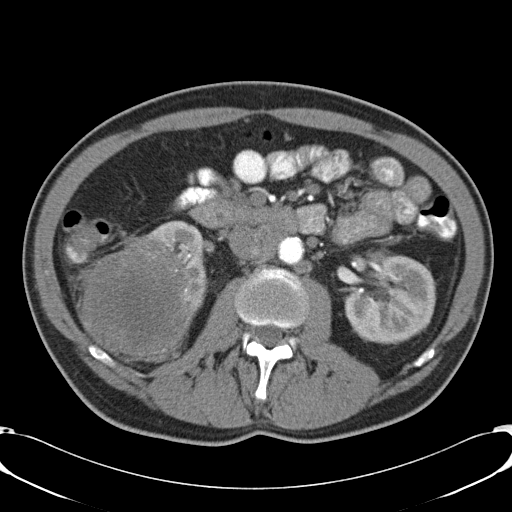
Axial slice 22 of 57 of a contrast-enhanced abdominal CT (slice 1 is the lowest), 120 kVp, kernel B31f; 5.00 mm slice thickness and 0.732 mm pixels.
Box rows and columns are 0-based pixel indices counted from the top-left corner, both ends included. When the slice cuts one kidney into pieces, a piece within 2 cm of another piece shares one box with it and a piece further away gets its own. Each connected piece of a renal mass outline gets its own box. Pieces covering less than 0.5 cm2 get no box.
Boxed on this slice (two kidney boxes and one renal mass box), listed by box centre from the image's left to its right: (1) Box rows 235–356, columns 80–196: right renal mass (outlined area 10,547 px, about 56.6 cm2). (2) Right kidney at rows 220–311, columns 146–207 (outlined area 2,283 px, about 12.2 cm2). (3) Left kidney, box rows 254–343, columns 344–436 (outlined area 6,159 px, about 33.0 cm2).